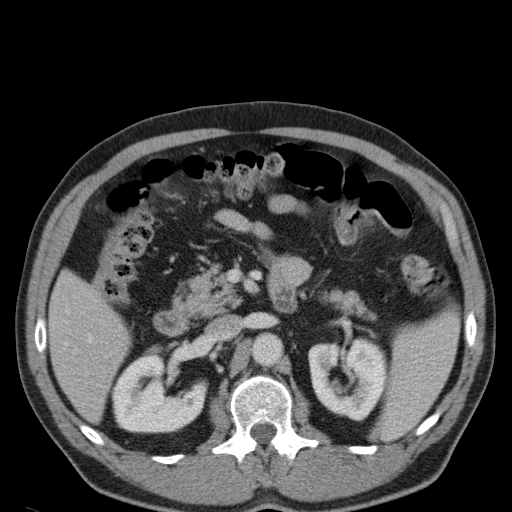
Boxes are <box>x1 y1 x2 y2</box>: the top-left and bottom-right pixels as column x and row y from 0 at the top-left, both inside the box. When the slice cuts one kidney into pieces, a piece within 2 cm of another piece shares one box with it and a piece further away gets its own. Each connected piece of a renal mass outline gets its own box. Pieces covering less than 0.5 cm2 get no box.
This is axial slice 71 of 107 (slice 1 is the lowest) of an abdominal CT with contrast; each pixel is 0.730 mm and the slice is 5.00 mm thick. Boxed on this slice (two kidney boxes), listed by box centre from the image's left to its right: (1) Right kidney at <box>110 354 207 433</box> (outlined area 5,476 px, about 29.2 cm2). (2) Left kidney: <box>308 338 388 421</box> (outlined area 5,009 px, about 26.7 cm2). No renal mass outline on this slice.
Scan settings: 120 kVp, B31f reconstruction kernel.